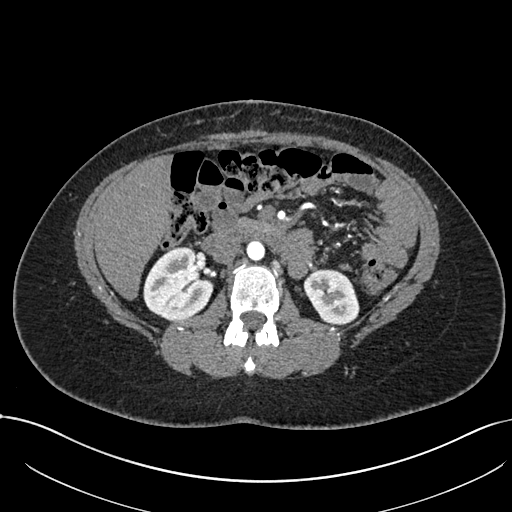
One axial slice (415 of 738, counting up from the lowest) of an arterial-phase abdominal CT acquired with 120 kVp, kernel I30f; each pixel is 0.789 mm and the slice is 1.00 mm thick.
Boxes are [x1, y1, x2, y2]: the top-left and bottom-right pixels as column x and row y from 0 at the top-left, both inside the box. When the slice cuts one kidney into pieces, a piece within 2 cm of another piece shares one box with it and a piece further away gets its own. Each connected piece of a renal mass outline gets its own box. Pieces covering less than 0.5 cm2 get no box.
Boxed on this slice (two kidney boxes), listed by box centre from the image's left to its right: (1) Right kidney, box [143, 246, 214, 321] (outlined area 3,923 px, about 24.4 cm2). (2) Left kidney, box [303, 269, 359, 325] (outlined area 2,333 px, about 14.5 cm2). This slice carries no renal mass outline.